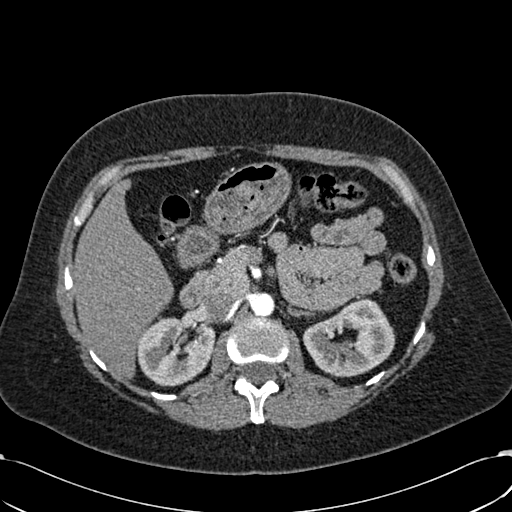
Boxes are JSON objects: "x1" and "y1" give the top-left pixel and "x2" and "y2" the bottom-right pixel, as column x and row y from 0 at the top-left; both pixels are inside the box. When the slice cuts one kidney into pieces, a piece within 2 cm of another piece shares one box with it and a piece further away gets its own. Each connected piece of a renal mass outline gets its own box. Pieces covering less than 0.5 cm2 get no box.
Slice 396/532 of a contrast-enhanced abdominal CT in the arterial phase, counting up from the lowest; pixel size 0.713 mm, slice thickness 1.00 mm. Two kidney boxes on this slice; by box centre, from the image's left to its right: (1) Box {"x1": 136, "y1": 317, "x2": 215, "y2": 386}: right kidney (outlined area 4,196 px, about 21.3 cm2). (2) Left kidney, box {"x1": 302, "y1": 298, "x2": 395, "y2": 377} (outlined area 4,868 px, about 24.7 cm2). No renal mass is outlined on this slice.
Acquired at 120 kVp and reconstructed with the B30f kernel.